Contrast-enhanced abdominal CT, axial slice 138 of 186 (counted from the lowest slice); tube voltage 120 kVp, convolution kernel STANDARD; slices 2.50 mm thick, 0.850 mm per pixel.
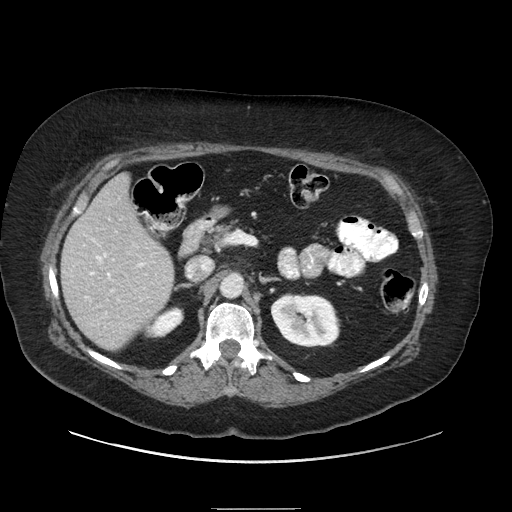
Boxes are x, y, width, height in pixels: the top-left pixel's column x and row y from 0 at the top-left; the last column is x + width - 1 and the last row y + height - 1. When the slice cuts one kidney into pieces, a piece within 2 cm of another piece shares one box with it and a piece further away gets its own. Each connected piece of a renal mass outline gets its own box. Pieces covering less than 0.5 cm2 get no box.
Two boxes on this slice (two kidney boxes), listed by box centre from the image's left to its right. (1) Box x 144, y 306, width 40, height 32: right kidney (outlined area 800 px, about 5.8 cm2). (2) Left kidney, box x 270, y 293, width 71, height 55 (outlined area 3,045 px, about 22.0 cm2). No renal mass outline on this slice.